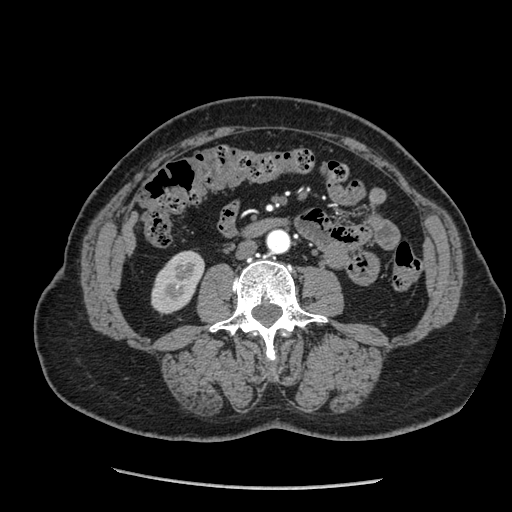
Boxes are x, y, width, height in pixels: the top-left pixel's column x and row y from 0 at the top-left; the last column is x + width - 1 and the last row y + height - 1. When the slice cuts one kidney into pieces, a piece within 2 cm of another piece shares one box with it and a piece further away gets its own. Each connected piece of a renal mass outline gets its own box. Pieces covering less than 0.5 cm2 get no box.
Slice 91/233 of a contrast-enhanced abdominal CT in the arterial phase, counting up from the lowest; pixel size 0.703 mm, slice thickness 1.25 mm. Right kidney, box x 151, y 250, width 54, height 64 (outlined area 2,381 px, about 11.8 cm2). No renal mass outline on this slice.
Acquired at 120 kVp and reconstructed with the STANDARD kernel.